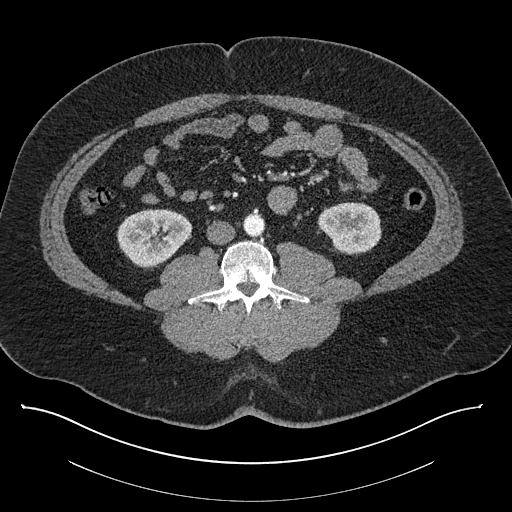
One axial slice (389 of 787, counting up from the lowest) of a contrast-enhanced abdominal CT acquired with 140 kVp, kernel I30f; each pixel is 0.910 mm and the slice is 1.00 mm thick.
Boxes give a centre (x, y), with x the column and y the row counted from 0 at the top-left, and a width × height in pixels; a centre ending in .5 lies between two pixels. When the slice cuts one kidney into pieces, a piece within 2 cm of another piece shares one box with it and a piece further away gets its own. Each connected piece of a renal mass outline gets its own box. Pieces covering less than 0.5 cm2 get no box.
Boxed on this slice (two kidney boxes), listed by box centre from the image's left to its right: (1) Right kidney, box centre (153.5, 238), 76 × 59 pixels (outlined area 3,273 px, about 27.1 cm2). (2) Left kidney in a box with centre (349, 228), 65 × 53 pixels (outlined area 2,629 px, about 21.8 cm2). This slice carries no renal mass outline.